Contrast-enhanced abdominal CT, axial slice 65 of 95 (counted from the lowest slice); tube voltage 120 kVp, convolution kernel STANDARD; slices 5.00 mm thick, 0.781 mm per pixel.
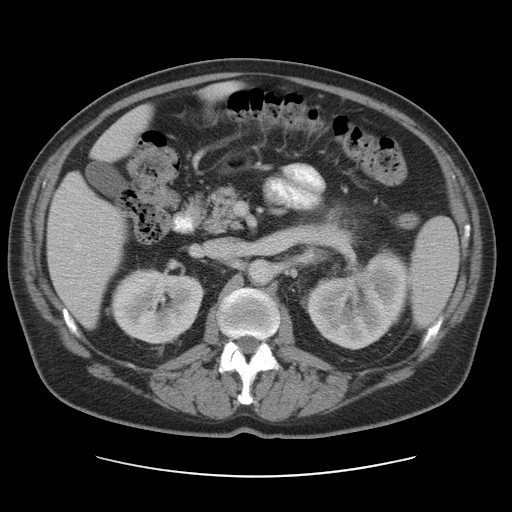
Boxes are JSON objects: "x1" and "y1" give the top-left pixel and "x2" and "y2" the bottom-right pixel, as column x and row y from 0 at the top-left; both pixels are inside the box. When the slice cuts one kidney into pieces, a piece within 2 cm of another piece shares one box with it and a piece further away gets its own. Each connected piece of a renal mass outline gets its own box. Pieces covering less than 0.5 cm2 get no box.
Boxed on this slice (two kidney boxes), listed by box centre from the image's left to its right: (1) Box {"x1": 109, "y1": 268, "x2": 204, "y2": 345}: right kidney (outlined area 5,501 px, about 33.6 cm2). (2) Box {"x1": 306, "y1": 247, "x2": 408, "y2": 349}: left kidney (outlined area 7,285 px, about 44.5 cm2). No renal mass outline on this slice.